Axial slice 54 of 107 of a contrast-enhanced abdominal CT (slice 1 is the lowest), 120 kVp, kernel B31f; 5.00 mm slice thickness and 0.941 mm pixels.
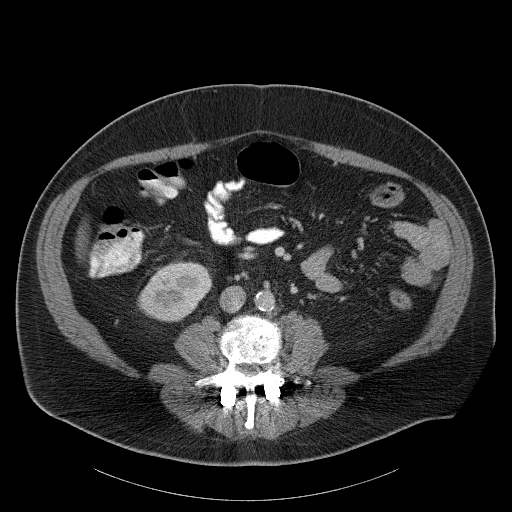
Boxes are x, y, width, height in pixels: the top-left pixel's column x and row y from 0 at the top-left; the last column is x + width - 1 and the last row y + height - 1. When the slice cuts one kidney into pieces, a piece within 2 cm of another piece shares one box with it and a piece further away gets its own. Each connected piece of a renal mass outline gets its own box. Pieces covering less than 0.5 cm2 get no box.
Right kidney at x 137, y 262, width 76, height 61 (outlined area 3,294 px, about 29.2 cm2). No renal mass is outlined on this slice.